Axial slice 116 of 153 of a contrast-enhanced abdominal CT (slice 1 is the lowest), 120 kVp, kernel I41f; 3.00 mm slice thickness and 0.893 mm pixels.
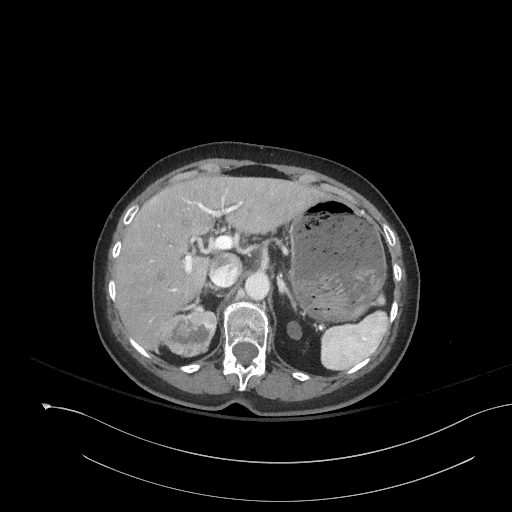
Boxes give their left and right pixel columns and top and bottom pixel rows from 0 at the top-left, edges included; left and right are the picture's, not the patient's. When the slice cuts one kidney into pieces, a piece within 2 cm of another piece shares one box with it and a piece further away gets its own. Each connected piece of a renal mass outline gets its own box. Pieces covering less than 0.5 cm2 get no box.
Boxed on this slice (two kidney boxes and one renal mass box), listed by box centre from the image's left to its right: (1) Right renal mass in the box with left 159, top 310, right 217, bottom 357 (outlined area 2,128 px, about 17.0 cm2). (2) Right kidney in the box with left 191, top 305, right 205, bottom 311 (outlined area 71 px, about 0.6 cm2). (3) Left kidney, the box with left 287, top 321, right 301, bottom 339 (outlined area 220 px, about 1.8 cm2).